Axial slice 73 of 98 of a contrast-enhanced abdominal CT (slice 1 is the lowest), 130 kVp, kernel B30s; 5.00 mm slice thickness and 0.840 mm pixels.
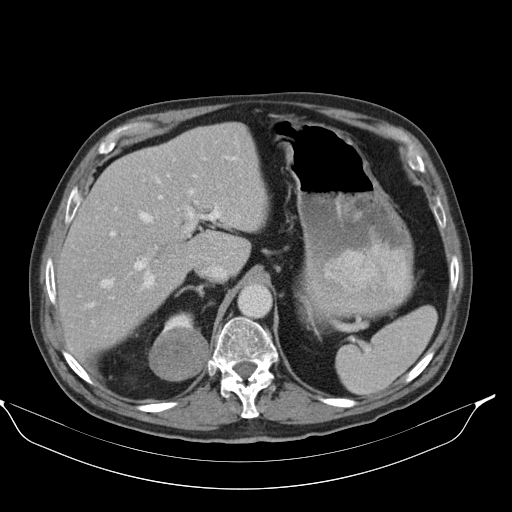
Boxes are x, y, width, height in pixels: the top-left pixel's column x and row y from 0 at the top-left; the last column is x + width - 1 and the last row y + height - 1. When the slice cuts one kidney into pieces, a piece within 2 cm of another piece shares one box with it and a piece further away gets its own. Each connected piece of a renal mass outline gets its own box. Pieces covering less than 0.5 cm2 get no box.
Two boxes on this slice (one kidney box and one renal mass box), listed by box centre from the image's left to its right. (1) Right kidney, box x 159, y 312, width 39, height 26 (outlined area 593 px, about 4.2 cm2). (2) Right renal mass, box x 148, y 332, width 62, height 50 (outlined area 2,434 px, about 17.2 cm2).